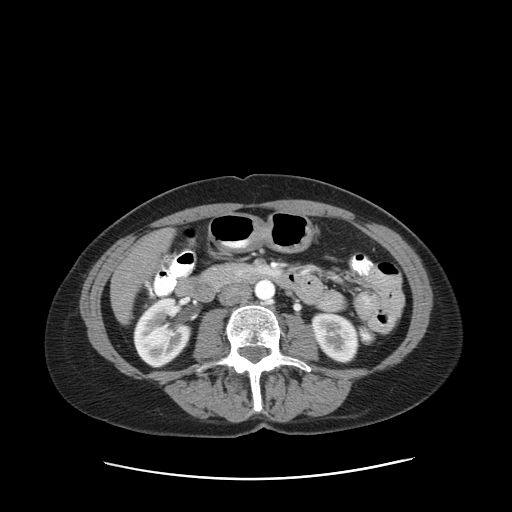
Abdominal CT with intravenous contrast, arterial phase, axial plane, 120 kVp, kernel STANDARD. Slice 48/83 from the bottom of the scan; thickness 5.00 mm; pixel size 0.775 mm.
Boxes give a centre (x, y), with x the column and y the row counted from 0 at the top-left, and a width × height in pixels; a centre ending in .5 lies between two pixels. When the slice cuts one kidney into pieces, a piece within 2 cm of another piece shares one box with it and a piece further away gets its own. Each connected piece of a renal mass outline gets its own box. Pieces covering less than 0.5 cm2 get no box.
Two kidney boxes on this slice; by box centre, from the image's left to its right: (1) Box centre (162, 333), 59 × 71 pixels: right kidney (outlined area 3,030 px, about 18.2 cm2). (2) Box centre (335, 337.5), 49 × 50 pixels: left kidney (outlined area 1,840 px, about 11.1 cm2). No renal mass outline on this slice.